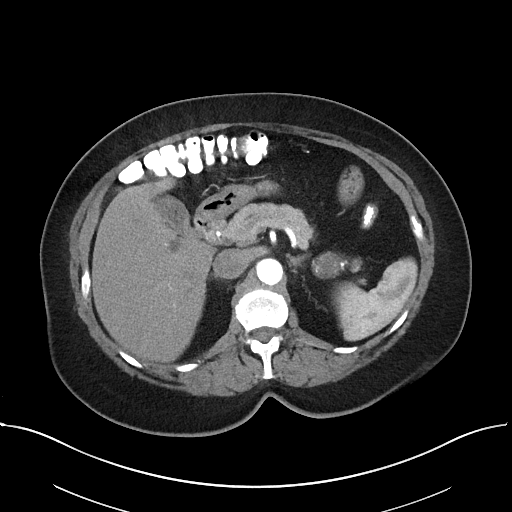
Axial slice 25 of 38 of a contrast-enhanced abdominal CT in the arterial phase (slice 1 is the lowest), 100 kVp, kernel I40f; 5.00 mm slice thickness and 0.822 mm pixels.
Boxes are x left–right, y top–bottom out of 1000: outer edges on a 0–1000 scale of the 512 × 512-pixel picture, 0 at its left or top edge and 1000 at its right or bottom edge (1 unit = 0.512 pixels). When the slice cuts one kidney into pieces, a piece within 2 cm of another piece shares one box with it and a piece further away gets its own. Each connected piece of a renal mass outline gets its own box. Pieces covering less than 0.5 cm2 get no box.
Left renal mass at x 607–674, y 490–545 out of 1000 (outlined area 689 px, about 4.7 cm2); no kidney outline appears on this slice, but the same outlined renal mass comes within 1 cm of the kidney on another slice.